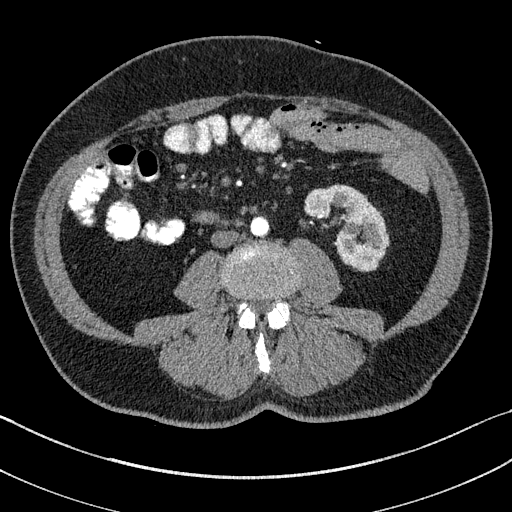
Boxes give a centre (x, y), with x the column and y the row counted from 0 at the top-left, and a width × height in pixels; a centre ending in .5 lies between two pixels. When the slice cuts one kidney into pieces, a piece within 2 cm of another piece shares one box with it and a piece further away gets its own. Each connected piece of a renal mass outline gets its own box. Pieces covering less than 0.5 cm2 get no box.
This is axial slice 53 of 195 (slice 1 is the lowest) of an arterial-phase abdominal CT with contrast; each pixel is 0.707 mm and the slice is 1.50 mm thick. Box centre (346.5, 227.5), 86 × 88 pixels: left kidney (outlined area 4,276 px, about 21.4 cm2). No renal mass is outlined on this slice.
Scan settings: 100 kVp, I31f reconstruction kernel.